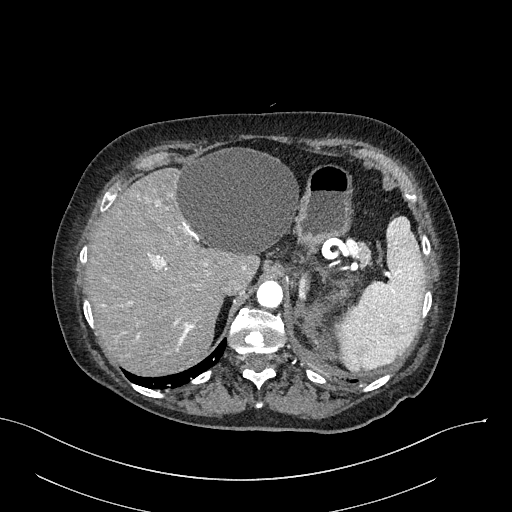
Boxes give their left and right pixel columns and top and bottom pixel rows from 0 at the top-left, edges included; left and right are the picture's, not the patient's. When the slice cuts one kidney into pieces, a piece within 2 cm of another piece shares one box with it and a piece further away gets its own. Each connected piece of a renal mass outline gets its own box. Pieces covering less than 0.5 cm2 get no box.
Slice 216/316 of a contrast-enhanced abdominal CT in the arterial phase, counting up from the lowest; pixel size 0.840 mm, slice thickness 2.00 mm. Box with left 296, top 275, right 357, bottom 359: left renal mass (outlined area 2,158 px, about 15.2 cm2); no kidney outline appears on this slice, but the same outlined renal mass comes within 1 cm of the kidney on another slice.
Acquired at 100 kVp and reconstructed with the I40f kernel.